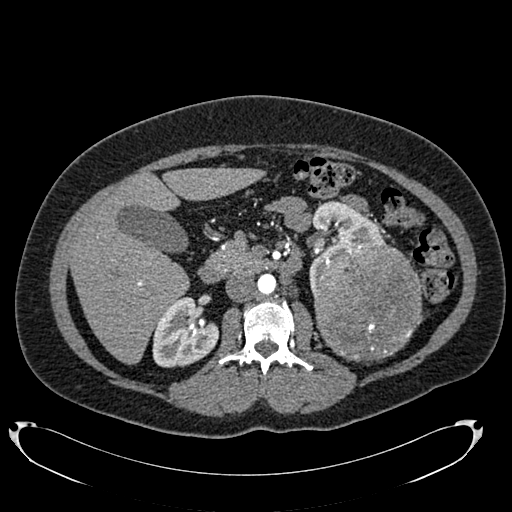
Axial slice 433 of 634 of a contrast-enhanced abdominal CT in the arterial phase (slice 1 is the lowest), 120 kVp, kernel B20f; 1.00 mm slice thickness and 0.838 mm pixels.
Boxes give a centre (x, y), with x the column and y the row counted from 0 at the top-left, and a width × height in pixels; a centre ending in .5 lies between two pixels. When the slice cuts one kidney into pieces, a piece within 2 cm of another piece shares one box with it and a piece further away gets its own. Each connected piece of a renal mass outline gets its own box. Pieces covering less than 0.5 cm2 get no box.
Three boxes on this slice (two kidney boxes and one renal mass box), listed by box centre from the image's left to its right. (1) Right kidney, box centre (185, 332), 67 × 71 pixels (outlined area 3,433 px, about 24.1 cm2). (2) Left kidney, box centre (347, 244.5), 77 × 90 pixels (outlined area 2,851 px, about 20.0 cm2). (3) Box centre (367, 302), 113 × 119 pixels: left renal mass (outlined area 10,678 px, about 75.0 cm2).